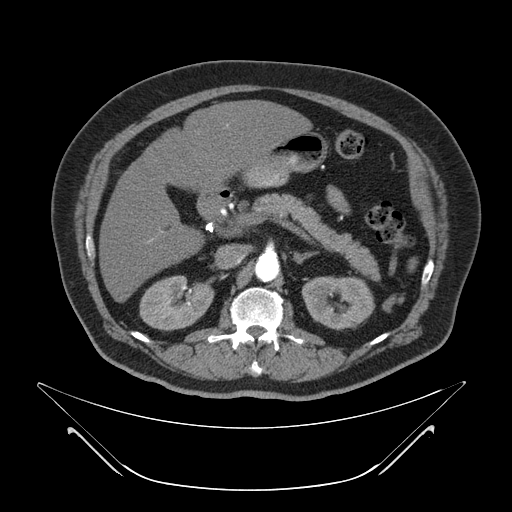
Contrast-enhanced abdominal CT, axial slice 34 of 64 (counted from the lowest slice); tube voltage 120 kVp, convolution kernel B; slices 4.00 mm thick, 0.977 mm per pixel.
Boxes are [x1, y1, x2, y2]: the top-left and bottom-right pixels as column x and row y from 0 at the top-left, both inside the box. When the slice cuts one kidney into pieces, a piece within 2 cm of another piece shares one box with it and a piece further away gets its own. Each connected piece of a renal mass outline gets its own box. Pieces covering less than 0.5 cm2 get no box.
Two kidney boxes on this slice; by box centre, from the image's left to its right: (1) Right kidney, box [139, 275, 214, 330] (outlined area 3,114 px, about 29.7 cm2). (2) Box [301, 276, 374, 330]: left kidney (outlined area 3,080 px, about 29.4 cm2). This slice carries no renal mass outline.